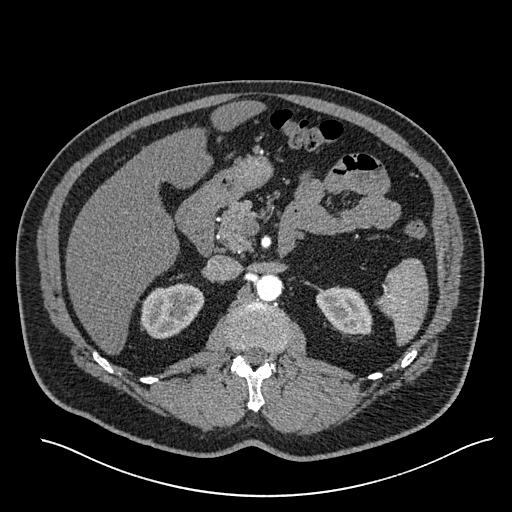
One axial slice (376 of 527, counting up from the lowest) of an arterial-phase abdominal CT acquired with 120 kVp, kernel I30f; each pixel is 0.859 mm and the slice is 1.00 mm thick.
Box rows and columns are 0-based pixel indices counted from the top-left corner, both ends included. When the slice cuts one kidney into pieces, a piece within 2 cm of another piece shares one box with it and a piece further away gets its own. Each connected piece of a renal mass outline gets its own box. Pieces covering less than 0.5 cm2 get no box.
Boxed on this slice (two kidney boxes), listed by box centre from the image's left to its right: (1) Right kidney, box rows 283–339, columns 140–204 (outlined area 2,661 px, about 19.7 cm2). (2) Left kidney at rows 286–334, columns 316–371 (outlined area 2,009 px, about 14.8 cm2). This slice carries no renal mass outline.